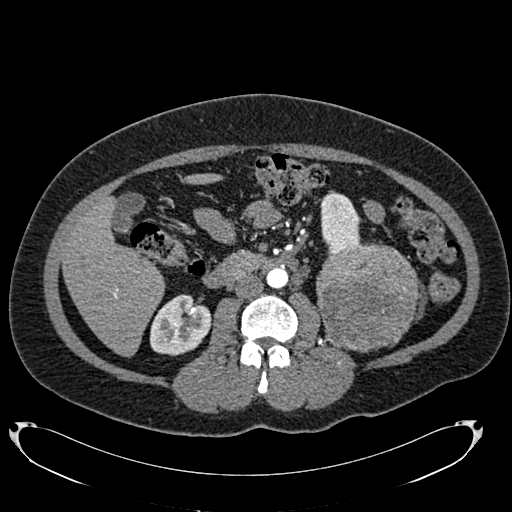
Axial slice 387 of 634 of a contrast-enhanced abdominal CT in the arterial phase (slice 1 is the lowest), 120 kVp, kernel B20f; 1.00 mm slice thickness and 0.838 mm pixels.
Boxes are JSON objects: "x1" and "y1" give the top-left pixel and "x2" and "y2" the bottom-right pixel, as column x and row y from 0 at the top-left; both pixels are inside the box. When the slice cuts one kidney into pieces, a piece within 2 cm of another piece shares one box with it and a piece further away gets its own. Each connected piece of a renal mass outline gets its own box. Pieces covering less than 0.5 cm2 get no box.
Two kidney boxes and one renal mass box on this slice; by box centre, from the image's left to its right: (1) Right kidney at {"x1": 149, "y1": 294, "x2": 211, "y2": 355} (outlined area 2,846 px, about 20.0 cm2). (2) Box {"x1": 320, "y1": 190, "x2": 361, "y2": 253}: left kidney (outlined area 1,938 px, about 13.6 cm2). (3) Left renal mass at {"x1": 316, "y1": 242, "x2": 418, "y2": 352} (outlined area 9,060 px, about 63.6 cm2).